One axial slice (60 of 69, counting up from the lowest) of an arterial-phase abdominal CT acquired with 120 kVp, kernel STANDARD; each pixel is 0.846 mm and the slice is 2.50 mm thick.
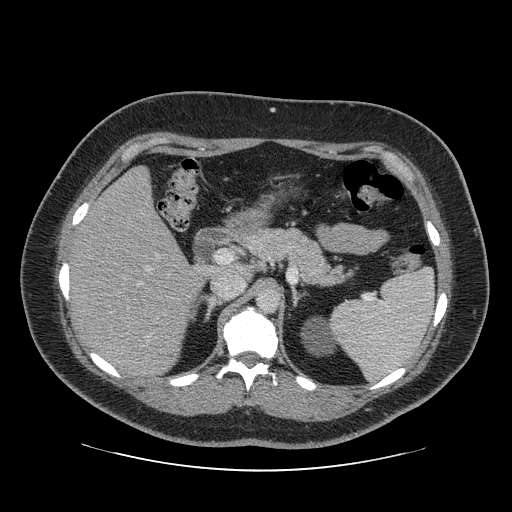
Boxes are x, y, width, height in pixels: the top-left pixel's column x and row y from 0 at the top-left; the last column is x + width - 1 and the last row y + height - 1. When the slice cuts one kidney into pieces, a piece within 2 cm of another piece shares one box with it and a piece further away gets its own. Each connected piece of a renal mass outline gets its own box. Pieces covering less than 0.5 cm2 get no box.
Left kidney at x 300, y 316, width 38, height 41 (outlined area 1,050 px, about 7.5 cm2). This slice carries no renal mass outline.